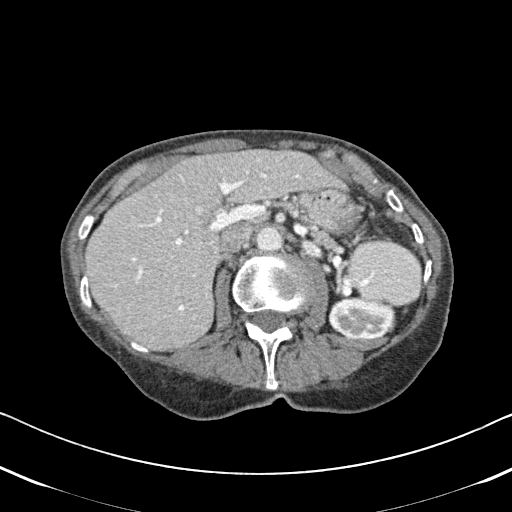
Abdominal CT with intravenous contrast, arterial phase, axial plane, 120 kVp, kernel B31f. Slice 312/620 from the bottom of the scan; thickness 2.00 mm; pixel size 0.637 mm.
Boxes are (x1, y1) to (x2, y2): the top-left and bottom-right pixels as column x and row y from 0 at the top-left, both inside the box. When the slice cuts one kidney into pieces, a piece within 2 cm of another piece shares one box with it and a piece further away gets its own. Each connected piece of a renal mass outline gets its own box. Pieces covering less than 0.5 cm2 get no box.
Left kidney from (328, 297) to (395, 340) (outlined area 2,294 px, about 9.3 cm2). No renal mass is outlined on this slice.